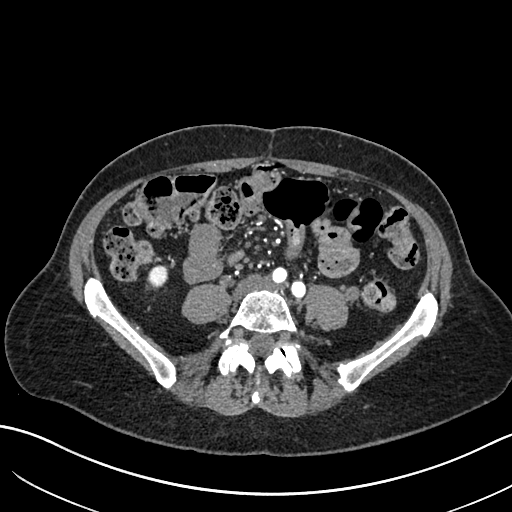
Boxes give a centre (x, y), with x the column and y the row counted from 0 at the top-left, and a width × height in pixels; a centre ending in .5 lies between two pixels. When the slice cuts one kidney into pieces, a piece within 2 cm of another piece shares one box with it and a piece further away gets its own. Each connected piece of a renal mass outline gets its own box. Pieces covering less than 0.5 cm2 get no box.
Slice 241/683 of a contrast-enhanced abdominal CT in the arterial phase, counting up from the lowest; pixel size 0.738 mm, slice thickness 1.00 mm. Box centre (158, 276.5), 21 × 24 pixels: right kidney (outlined area 386 px, about 2.1 cm2). This slice carries no renal mass outline.
Acquired at 120 kVp and reconstructed with the I30f kernel.